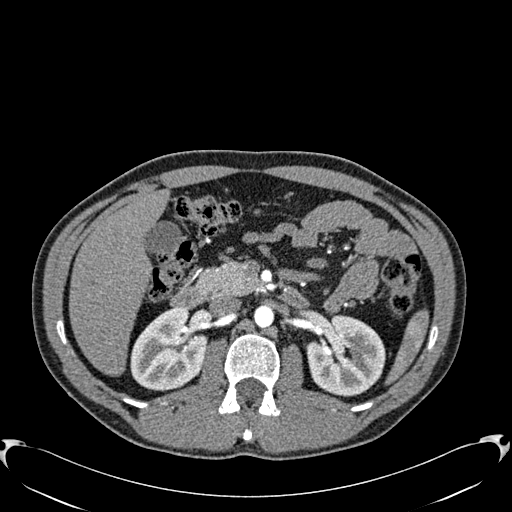
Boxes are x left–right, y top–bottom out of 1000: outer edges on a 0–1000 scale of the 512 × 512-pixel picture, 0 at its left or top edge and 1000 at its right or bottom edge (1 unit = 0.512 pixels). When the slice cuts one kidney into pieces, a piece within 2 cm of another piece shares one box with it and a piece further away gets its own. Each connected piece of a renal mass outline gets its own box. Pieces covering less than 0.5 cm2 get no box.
This is axial slice 370 of 512 (slice 1 is the lowest) of an arterial-phase abdominal CT with contrast; each pixel is 0.771 mm and the slice is 1.00 mm thick. Two kidney boxes on this slice; by box centre, from the image's left to its right: (1) Right kidney at x 254–402, y 600–766 out of 1000 (outlined area 4,768 px, about 28.4 cm2). (2) Left kidney at x 598–754, y 615–775 out of 1000 (outlined area 4,891 px, about 29.1 cm2). This slice carries no renal mass outline.
Tube voltage 120 kVp; convolution kernel B30f.